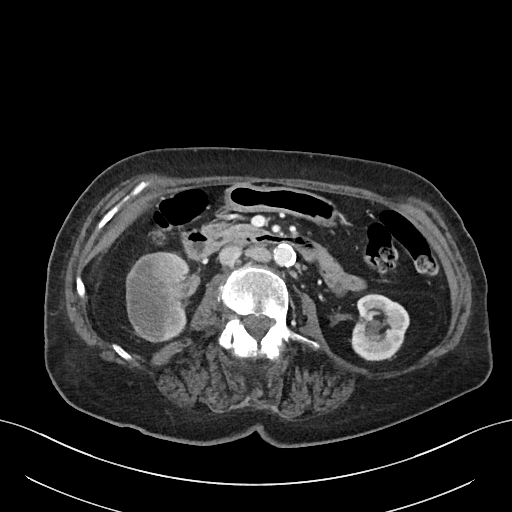
One axial slice (27 of 76, counting up from the lowest) of a contrast-enhanced abdominal CT acquired with 100 kVp, kernel I40f; each pixel is 0.768 mm and the slice is 3.00 mm thick.
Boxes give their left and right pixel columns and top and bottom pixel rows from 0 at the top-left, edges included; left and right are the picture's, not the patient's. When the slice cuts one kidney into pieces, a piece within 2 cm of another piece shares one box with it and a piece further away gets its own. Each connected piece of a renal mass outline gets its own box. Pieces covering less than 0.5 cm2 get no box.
Three boxes on this slice (two kidney boxes and one renal mass box), listed by box centre from the image's left to its right. (1) Right renal mass in the box with left 126, top 252, right 181, bottom 342 (outlined area 4,207 px, about 24.8 cm2). (2) Right kidney in the box with left 173, top 254, right 190, bottom 337 (outlined area 706 px, about 4.2 cm2). (3) Left kidney in the box with left 350, top 293, right 409, bottom 361 (outlined area 3,011 px, about 17.7 cm2).